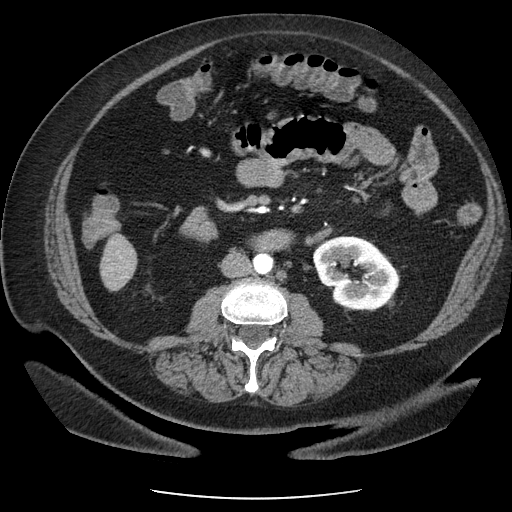
Arterial-phase contrast-enhanced abdominal CT, axial slice 108 of 186 (counted from the lowest slice); tube voltage 120 kVp, convolution kernel STANDARD; slices 2.50 mm thick, 0.742 mm per pixel.
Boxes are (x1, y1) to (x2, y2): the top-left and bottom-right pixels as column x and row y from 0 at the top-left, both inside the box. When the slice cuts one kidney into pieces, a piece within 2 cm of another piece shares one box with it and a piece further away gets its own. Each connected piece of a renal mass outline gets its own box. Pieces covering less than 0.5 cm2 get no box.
Left kidney, box (313, 235) to (399, 310) (outlined area 4,678 px, about 25.8 cm2). No renal mass is outlined on this slice.